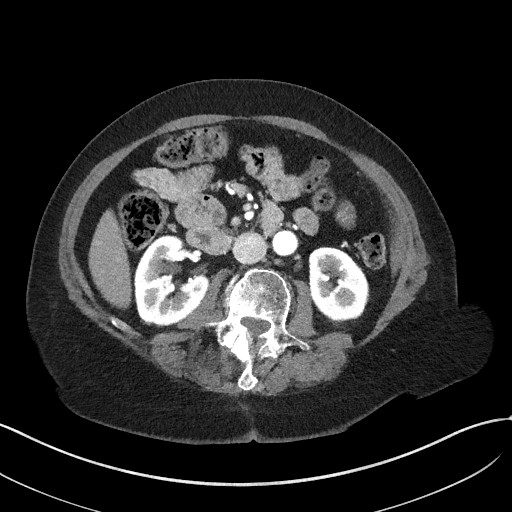
Axial slice 20 of 50 of a contrast-enhanced abdominal CT in the arterial phase (slice 1 is the lowest), 100 kVp, kernel I41f; 3.00 mm slice thickness and 0.758 mm pixels.
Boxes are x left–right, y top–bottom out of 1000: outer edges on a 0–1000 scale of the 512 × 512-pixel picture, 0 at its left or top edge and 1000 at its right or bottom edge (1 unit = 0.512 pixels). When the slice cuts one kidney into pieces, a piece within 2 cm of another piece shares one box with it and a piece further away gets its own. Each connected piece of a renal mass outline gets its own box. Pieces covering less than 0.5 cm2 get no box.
Two boxes on this slice (two kidney boxes), listed by box centre from the image's left to its right. (1) Box x 262–408, y 459–639 out of 1000: right kidney (outlined area 4,698 px, about 27.0 cm2). (2) Left kidney, box x 602–723, y 480–631 out of 1000 (outlined area 3,584 px, about 20.6 cm2). No renal mass outline on this slice.